One axial slice (105 of 326, counting up from the lowest) of an arterial-phase abdominal CT acquired with 120 kVp, kernel B31f; each pixel is 0.963 mm and the slice is 2.00 mm thick.
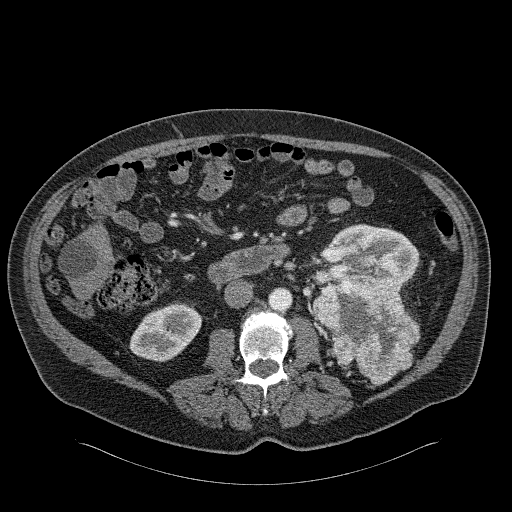
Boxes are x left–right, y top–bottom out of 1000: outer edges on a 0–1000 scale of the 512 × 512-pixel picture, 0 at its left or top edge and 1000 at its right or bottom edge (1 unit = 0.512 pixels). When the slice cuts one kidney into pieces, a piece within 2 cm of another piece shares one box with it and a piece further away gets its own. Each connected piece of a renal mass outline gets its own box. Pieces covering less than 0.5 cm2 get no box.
Four boxes on this slice (two kidney boxes and two renal mass boxes), listed by box centre from the image's left to its right. (1) Right kidney, box x 252–395, y 588–709 out of 1000 (outlined area 3,007 px, about 27.9 cm2). (2) Box x 607–822, y 535–752 out of 1000: left renal mass (outlined area 8,057 px, about 74.7 cm2). (3) Left kidney at x 619–820, y 438–568 out of 1000 (outlined area 4,343 px, about 40.3 cm2). (4) Box x 709–738, y 496–523 out of 1000: left renal mass (outlined area 166 px, about 1.5 cm2).